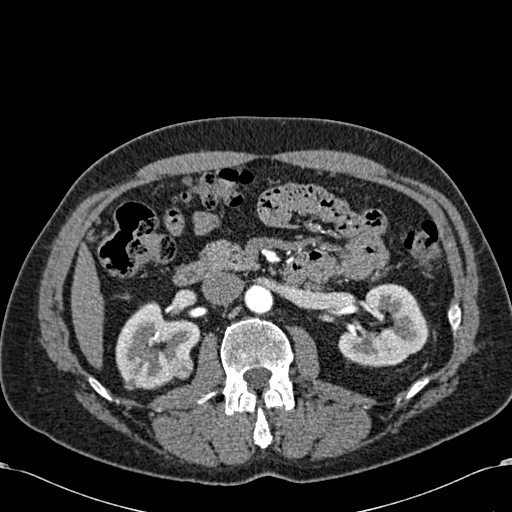
Axial slice 358 of 581 of a contrast-enhanced abdominal CT in the arterial phase (slice 1 is the lowest), 120 kVp, kernel B30f; 1.00 mm slice thickness and 0.713 mm pixels.
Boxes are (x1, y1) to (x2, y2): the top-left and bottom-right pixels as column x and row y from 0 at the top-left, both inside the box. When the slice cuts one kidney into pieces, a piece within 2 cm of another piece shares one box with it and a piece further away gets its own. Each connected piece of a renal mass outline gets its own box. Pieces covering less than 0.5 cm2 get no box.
Two kidney boxes and one renal mass box on this slice; by box centre, from the image's left to its right: (1) Right kidney from (115, 301) to (200, 389) (outlined area 4,889 px, about 24.8 cm2). (2) Right renal mass from (163, 355) to (193, 379) (outlined area 598 px, about 3.0 cm2). (3) Left kidney, box (338, 283) to (428, 367) (outlined area 5,067 px, about 25.8 cm2).